Arterial-phase contrast-enhanced abdominal CT, axial slice 17 of 234 (counted from the lowest slice); tube voltage 100 kVp, convolution kernel I40f; slices 2.00 mm thick, 0.699 mm per pixel.
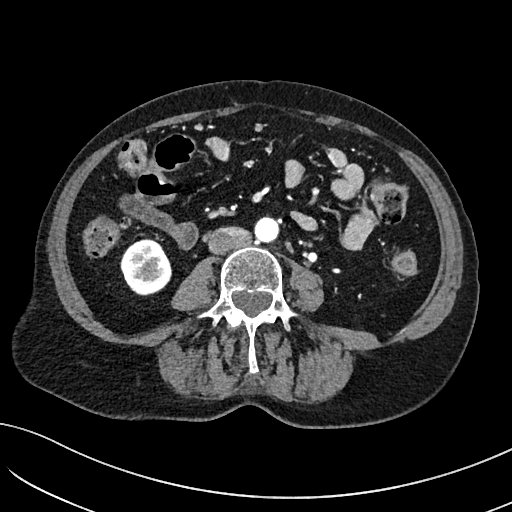
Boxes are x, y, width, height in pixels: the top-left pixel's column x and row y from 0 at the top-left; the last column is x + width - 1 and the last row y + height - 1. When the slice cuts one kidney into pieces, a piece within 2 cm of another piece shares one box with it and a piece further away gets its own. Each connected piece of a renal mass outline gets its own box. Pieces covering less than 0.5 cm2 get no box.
Box x 120, y 238, width 52, height 58: right kidney (outlined area 2,247 px, about 11.0 cm2). This slice carries no renal mass outline.